Abdominal CT with intravenous contrast, arterial phase, axial plane, 120 kVp, kernel I31f. Slice 90/345 from the bottom of the scan; thickness 2.00 mm; pixel size 0.977 mm.
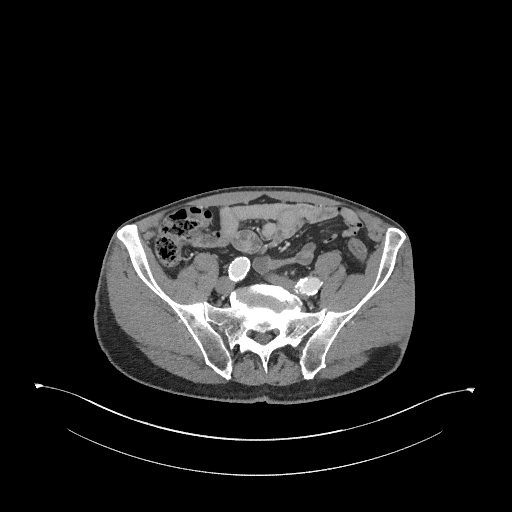
This slice carries no outline: it lies beyond the outlined kidneys and beyond every outlined renal mass. Other organs are not outlined in this scan.